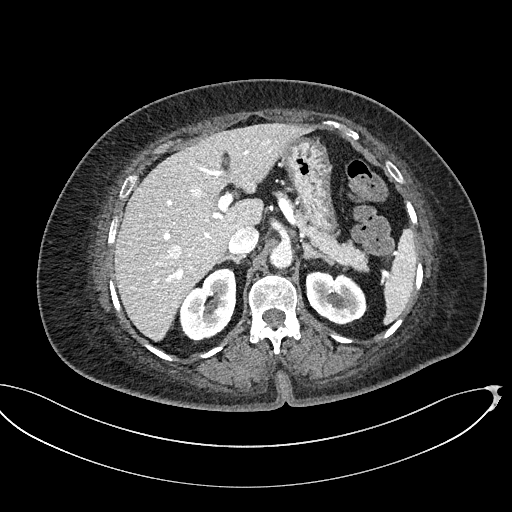
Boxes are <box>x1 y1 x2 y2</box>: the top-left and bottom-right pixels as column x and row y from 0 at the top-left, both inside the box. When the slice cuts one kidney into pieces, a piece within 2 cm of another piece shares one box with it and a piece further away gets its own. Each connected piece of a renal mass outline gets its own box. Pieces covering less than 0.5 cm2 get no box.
Slice 344/439 of a contrast-enhanced abdominal CT, counting up from the lowest; pixel size 0.850 mm, slice thickness 2.00 mm. Two kidney boxes on this slice; by box centre, from the image's left to its right: (1) Right kidney at <box>179 268 236 343</box> (outlined area 3,031 px, about 21.9 cm2). (2) Left kidney at <box>305 271 367 324</box> (outlined area 2,519 px, about 18.2 cm2). No renal mass is outlined on this slice.
Acquired at 100 kVp and reconstructed with the I40f kernel.